Axial slice 383 of 787 of a contrast-enhanced abdominal CT (slice 1 is the lowest), 140 kVp, kernel I30f; 1.00 mm slice thickness and 0.910 mm pixels.
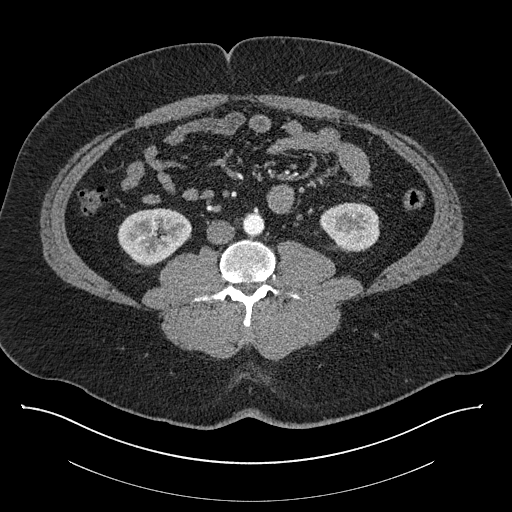
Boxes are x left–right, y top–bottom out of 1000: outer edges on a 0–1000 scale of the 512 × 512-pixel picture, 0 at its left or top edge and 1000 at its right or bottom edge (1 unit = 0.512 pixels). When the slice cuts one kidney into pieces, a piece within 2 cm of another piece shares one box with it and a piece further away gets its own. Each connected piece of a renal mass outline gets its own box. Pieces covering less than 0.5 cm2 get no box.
Boxed on this slice (two kidney boxes), listed by box centre from the image's left to its right: (1) Right kidney at x 229–375, y 406–520 out of 1000 (outlined area 3,203 px, about 26.5 cm2). (2) Left kidney at x 623–744, y 395–492 out of 1000 (outlined area 2,312 px, about 19.2 cm2). This slice carries no renal mass outline.